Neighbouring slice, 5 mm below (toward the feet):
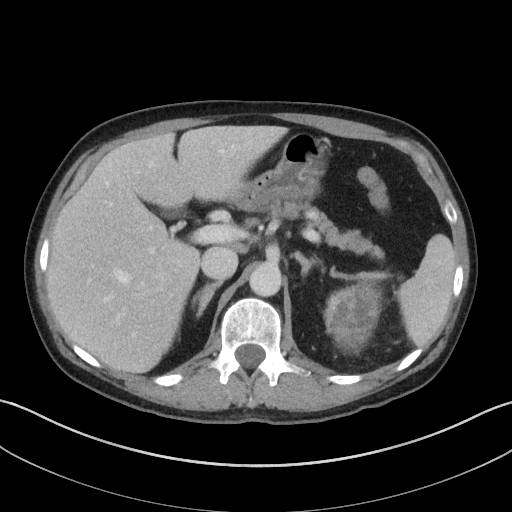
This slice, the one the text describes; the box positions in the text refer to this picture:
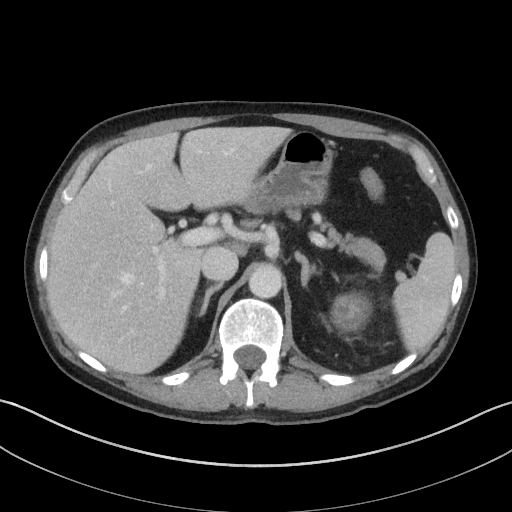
Abdominal CT with intravenous contrast, axial plane, 100 kVp, kernel I41f. Slice 79/143 from the bottom of the scan; thickness 5.00 mm; pixel size 0.734 mm.
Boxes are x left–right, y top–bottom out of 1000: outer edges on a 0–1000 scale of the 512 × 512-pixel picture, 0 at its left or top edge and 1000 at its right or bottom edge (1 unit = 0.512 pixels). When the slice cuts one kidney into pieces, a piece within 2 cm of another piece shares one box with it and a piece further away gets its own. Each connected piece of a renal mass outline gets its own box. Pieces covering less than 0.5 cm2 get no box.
Left renal mass, box x 645–729, y 568–650 out of 1000 (outlined area 1,417 px, about 7.6 cm2); no kidney outline appears on this slice, but the same outlined renal mass comes within 1 cm of the kidney on another slice. This slice is near the end of the left renal mass toward the head, so the slice 5 mm below it is shown as well; the boxes refer to this slice only.